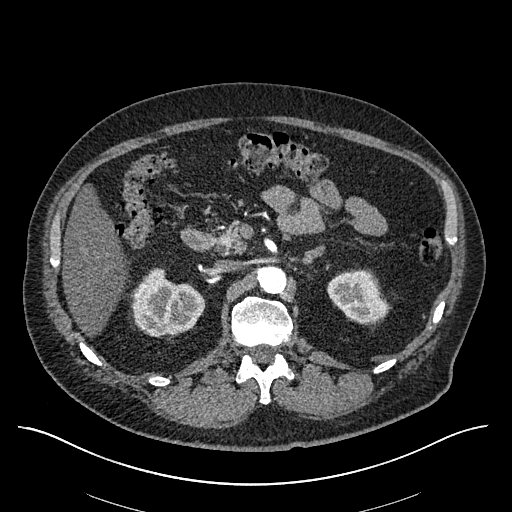
Axial slice 376 of 670 of a contrast-enhanced abdominal CT in the arterial phase (slice 1 is the lowest), 120 kVp, kernel I30f; 1.00 mm slice thickness and 0.861 mm pixels.
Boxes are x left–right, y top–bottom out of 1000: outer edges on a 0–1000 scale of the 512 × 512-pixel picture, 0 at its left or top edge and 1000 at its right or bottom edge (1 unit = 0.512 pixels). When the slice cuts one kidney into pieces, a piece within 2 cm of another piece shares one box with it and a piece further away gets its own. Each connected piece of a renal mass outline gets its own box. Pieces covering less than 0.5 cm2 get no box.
Two boxes on this slice (two kidney boxes), listed by box centre from the image's left to its right. (1) Box x 256–400, y 521–660 out of 1000: right kidney (outlined area 3,628 px, about 26.9 cm2). (2) Box x 637–760, y 525–635 out of 1000: left kidney (outlined area 2,463 px, about 18.3 cm2). No renal mass outline on this slice.